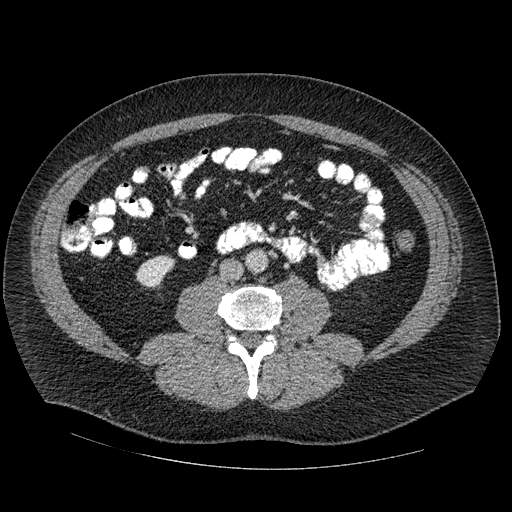
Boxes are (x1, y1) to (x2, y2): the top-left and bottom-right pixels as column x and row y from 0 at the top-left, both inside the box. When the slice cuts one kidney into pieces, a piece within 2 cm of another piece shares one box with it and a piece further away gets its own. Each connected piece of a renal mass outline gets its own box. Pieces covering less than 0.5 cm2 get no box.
Arterial-phase contrast-enhanced abdominal CT, axial slice 230 of 445 (counted from the lowest slice); 1.25 mm thick, 0.863 mm per pixel. Box (135, 254) to (175, 289): right kidney (outlined area 944 px, about 7.0 cm2). No renal mass is outlined on this slice.
Tube voltage 120 kVp; convolution kernel STANDARD.